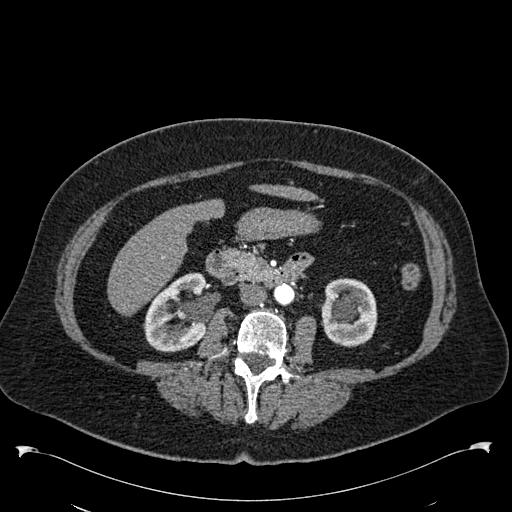
One axial slice (285 of 538, counting up from the lowest) of an arterial-phase abdominal CT acquired with 120 kVp, kernel B30f; each pixel is 0.811 mm and the slice is 1.00 mm thick.
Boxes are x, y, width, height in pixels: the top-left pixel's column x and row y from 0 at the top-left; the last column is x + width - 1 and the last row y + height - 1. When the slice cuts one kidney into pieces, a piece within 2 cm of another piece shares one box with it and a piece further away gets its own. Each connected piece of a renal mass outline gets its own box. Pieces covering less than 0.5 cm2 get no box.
Two boxes on this slice (two kidney boxes), listed by box centre from the image's left to its right. (1) Right kidney, box x 143, y 272, width 64, height 81 (outlined area 3,696 px, about 24.3 cm2). (2) Left kidney, box x 320, y 278, width 58, height 70 (outlined area 3,214 px, about 21.1 cm2). No renal mass outline on this slice.